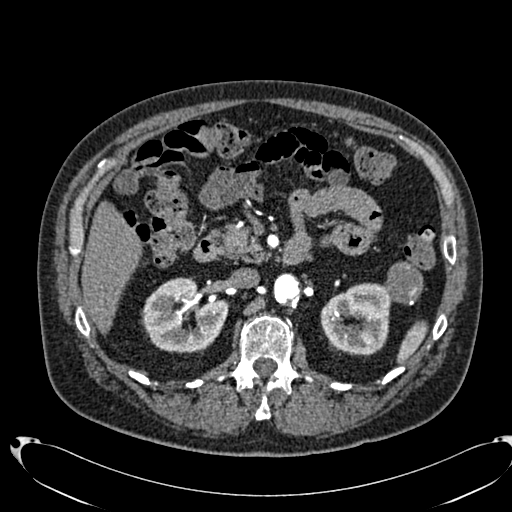
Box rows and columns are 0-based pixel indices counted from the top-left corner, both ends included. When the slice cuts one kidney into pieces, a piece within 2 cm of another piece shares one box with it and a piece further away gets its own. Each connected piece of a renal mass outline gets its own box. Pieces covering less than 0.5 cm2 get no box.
This is axial slice 444 of 553 (slice 1 is the lowest) of an arterial-phase abdominal CT with contrast; each pixel is 0.773 mm and the slice is 1.00 mm thick. Two kidney boxes and one renal mass box on this slice; by box centre, from the image's left to its right: (1) Right kidney at rows 277–353, columns 141–229 (outlined area 4,818 px, about 28.8 cm2). (2) Box rows 283–355, columns 320–392: left kidney (outlined area 3,947 px, about 23.6 cm2). (3) Left renal mass at rows 261–305, columns 385–423 (outlined area 1,311 px, about 7.8 cm2).
Tube voltage 120 kVp; convolution kernel B20f.